One axial slice (349 of 665, counting up from the lowest) of an arterial-phase abdominal CT acquired with 100 kVp, kernel I26f; each pixel is 0.828 mm and the slice is 1.00 mm thick.
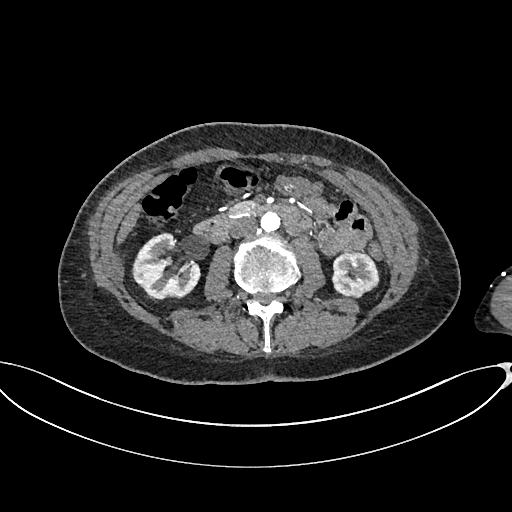
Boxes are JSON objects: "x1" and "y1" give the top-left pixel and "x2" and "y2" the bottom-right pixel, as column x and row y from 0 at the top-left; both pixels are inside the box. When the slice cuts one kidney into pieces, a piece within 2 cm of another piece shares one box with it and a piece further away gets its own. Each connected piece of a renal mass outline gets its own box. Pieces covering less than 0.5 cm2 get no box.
Two boxes on this slice (two kidney boxes), listed by box centre from the image's left to its right. (1) Right kidney at {"x1": 131, "y1": 232, "x2": 200, "y2": 299} (outlined area 3,290 px, about 22.6 cm2). (2) Left kidney at {"x1": 331, "y1": 252, "x2": 379, "y2": 298} (outlined area 1,775 px, about 12.2 cm2). This slice carries no renal mass outline.